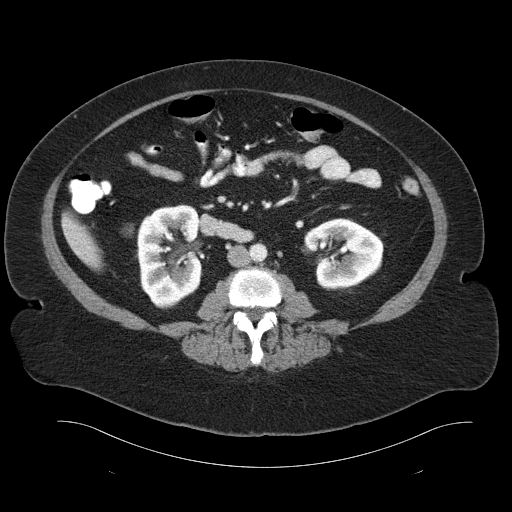
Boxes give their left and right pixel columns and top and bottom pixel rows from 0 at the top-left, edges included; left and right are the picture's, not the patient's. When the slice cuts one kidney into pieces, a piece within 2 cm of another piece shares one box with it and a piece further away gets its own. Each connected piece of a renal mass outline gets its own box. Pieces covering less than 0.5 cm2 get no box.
Contrast-enhanced abdominal CT, axial slice 52 of 93 (counted from the lowest slice); 5.00 mm thick, 0.938 mm per pixel. Two kidney boxes on this slice; by box centre, from the image's left to its right: (1) Right kidney in the box with left 122, top 204, right 202, bottom 309 (outlined area 5,772 px, about 50.7 cm2). (2) Box with left 303, top 218, right 383, bottom 291: left kidney (outlined area 4,301 px, about 37.8 cm2). This slice carries no renal mass outline.
Scan settings: 120 kVp, B30f reconstruction kernel.